One axial slice (345 of 723, counting up from the lowest) of an arterial-phase abdominal CT acquired with 120 kVp, kernel B30f; each pixel is 0.895 mm and the slice is 1.00 mm thick.
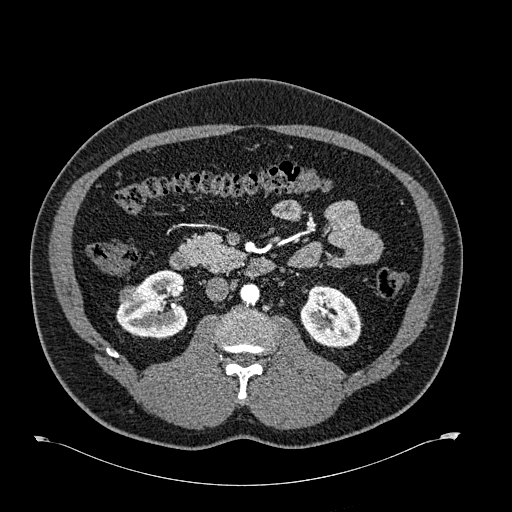
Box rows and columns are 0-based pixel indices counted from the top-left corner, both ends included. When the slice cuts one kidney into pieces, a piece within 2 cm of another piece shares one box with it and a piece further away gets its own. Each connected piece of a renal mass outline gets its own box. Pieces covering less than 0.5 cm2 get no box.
Three boxes on this slice (two kidney boxes and one renal mass box), listed by box centre from the image's left to its right. (1) Right renal mass, box rows 286–304, columns 119–138 (outlined area 307 px, about 2.5 cm2). (2) Right kidney at rows 269–339, columns 116–188 (outlined area 3,499 px, about 28.0 cm2). (3) Left kidney at rows 285–349, columns 300–360 (outlined area 2,925 px, about 23.4 cm2).